Contrast-enhanced abdominal CT, axial slice 14 of 113 (counted from the lowest slice); tube voltage 120 kVp, convolution kernel B31f; slices 2.00 mm thick, 0.742 mm per pixel.
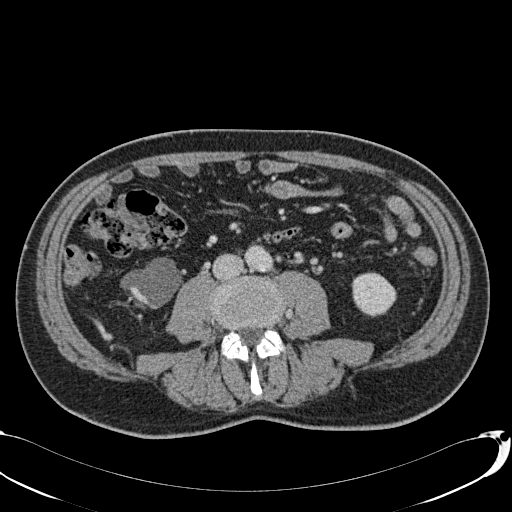
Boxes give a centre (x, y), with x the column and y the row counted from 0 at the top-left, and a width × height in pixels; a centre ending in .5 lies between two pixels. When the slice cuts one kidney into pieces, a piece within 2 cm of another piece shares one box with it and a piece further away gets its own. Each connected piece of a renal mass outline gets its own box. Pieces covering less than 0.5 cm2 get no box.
Two boxes on this slice (two kidney boxes), listed by box centre from the image's left to its right. (1) Box centre (151, 282.5), 63 × 52 pixels: right kidney (outlined area 2,121 px, about 11.7 cm2). (2) Left kidney, box centre (373.5, 294.5), 46 × 46 pixels (outlined area 1,558 px, about 8.6 cm2). No renal mass outline on this slice.